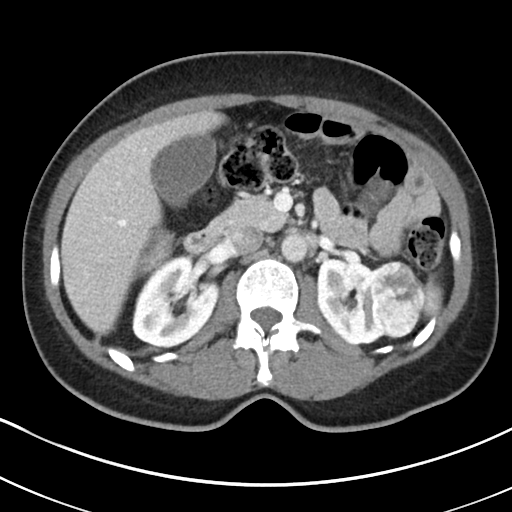
Contrast-enhanced abdominal CT, axial slice 121 of 178 (counted from the lowest slice); tube voltage 100 kVp, convolution kernel I30f; slices 5.00 mm thick, 0.650 mm per pixel.
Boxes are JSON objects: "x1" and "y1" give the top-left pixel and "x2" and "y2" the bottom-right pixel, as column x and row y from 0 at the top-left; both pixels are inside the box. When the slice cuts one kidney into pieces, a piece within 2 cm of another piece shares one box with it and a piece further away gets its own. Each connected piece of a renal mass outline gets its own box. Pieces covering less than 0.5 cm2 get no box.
Boxed on this slice (two kidney boxes and one renal mass box), listed by box centre from the image's left to its right: (1) Right kidney, box {"x1": 132, "y1": 255, "x2": 219, "y2": 347} (outlined area 5,803 px, about 24.5 cm2). (2) Box {"x1": 317, "y1": 258, "x2": 390, "y2": 345}: left kidney (outlined area 4,362 px, about 18.5 cm2). (3) Left renal mass, box {"x1": 373, "y1": 260, "x2": 425, "y2": 338} (outlined area 3,171 px, about 13.4 cm2).